Arterial-phase contrast-enhanced abdominal CT, axial slice 52 of 80 (counted from the lowest slice); tube voltage 100 kVp, convolution kernel I40f; slices 5.00 mm thick, 0.648 mm per pixel.
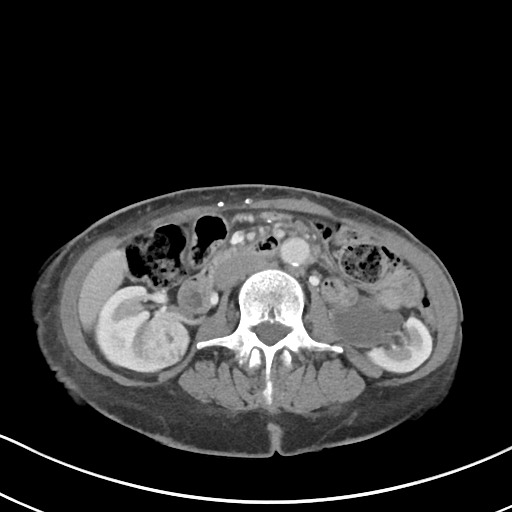
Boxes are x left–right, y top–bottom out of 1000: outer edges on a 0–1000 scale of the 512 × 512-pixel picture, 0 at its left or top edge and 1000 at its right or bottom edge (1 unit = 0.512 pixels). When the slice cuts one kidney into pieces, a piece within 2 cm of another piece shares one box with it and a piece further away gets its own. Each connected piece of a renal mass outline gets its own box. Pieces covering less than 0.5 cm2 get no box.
Two kidney boxes and one renal mass box on this slice; by box centre, from the image's left to its right: (1) Right kidney, box x 191–338, y 561–729 out of 1000 (outlined area 3,903 px, about 16.4 cm2). (2) Right renal mass, box x 281–369, y 605–711 out of 1000 (outlined area 1,813 px, about 7.6 cm2). (3) Left kidney at x 645–844, y 580–727 out of 1000 (outlined area 4,524 px, about 19.0 cm2).